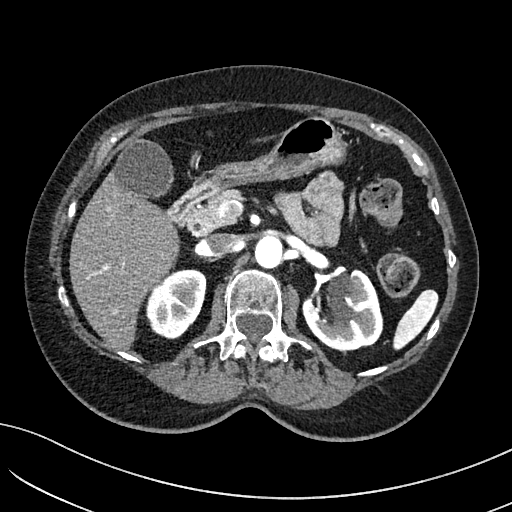
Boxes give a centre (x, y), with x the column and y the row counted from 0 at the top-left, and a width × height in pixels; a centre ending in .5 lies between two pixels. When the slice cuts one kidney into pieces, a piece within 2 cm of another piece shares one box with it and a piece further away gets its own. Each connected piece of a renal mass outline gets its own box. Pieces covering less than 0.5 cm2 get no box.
Arterial-phase contrast-enhanced abdominal CT, axial slice 87 of 234 (counted from the lowest slice); 2.00 mm thick, 0.699 mm per pixel. Two boxes on this slice (two kidney boxes), listed by box centre from the image's left to its right. (1) Right kidney, box centre (175.5, 304), 62 × 71 pixels (outlined area 3,168 px, about 15.5 cm2). (2) Left kidney in a box with centre (342.5, 309.5), 82 × 82 pixels (outlined area 4,673 px, about 22.8 cm2). This slice carries no renal mass outline.
Scan settings: 100 kVp, I40f reconstruction kernel.